Arterial-phase contrast-enhanced abdominal CT, axial slice 193 of 538 (counted from the lowest slice); tube voltage 120 kVp, convolution kernel B30f; slices 1.00 mm thick, 0.811 mm per pixel.
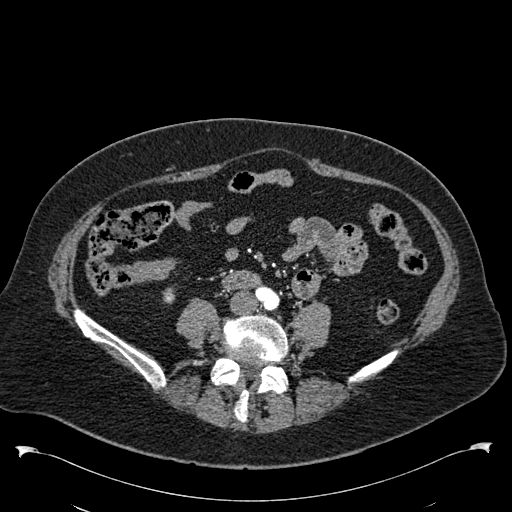
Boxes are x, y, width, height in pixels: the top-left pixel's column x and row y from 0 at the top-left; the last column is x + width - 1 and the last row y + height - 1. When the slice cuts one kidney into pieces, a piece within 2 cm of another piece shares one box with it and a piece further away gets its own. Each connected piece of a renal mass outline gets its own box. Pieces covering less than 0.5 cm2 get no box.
Right kidney, box x 162, y 287, width 13, height 17 (outlined area 168 px, about 1.1 cm2). This slice carries no renal mass outline.